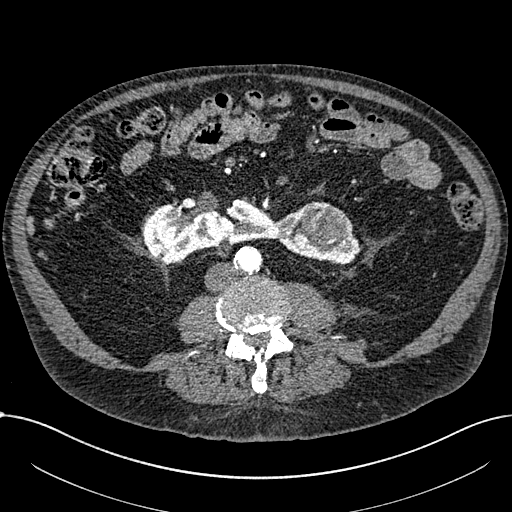
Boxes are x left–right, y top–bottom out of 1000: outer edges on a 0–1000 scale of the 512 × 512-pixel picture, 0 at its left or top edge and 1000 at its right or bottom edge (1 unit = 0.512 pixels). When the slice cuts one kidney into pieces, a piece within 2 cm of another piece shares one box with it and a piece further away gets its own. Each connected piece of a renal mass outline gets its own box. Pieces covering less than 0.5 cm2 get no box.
Slice 289/1059 of a contrast-enhanced abdominal CT in the arterial phase, counting up from the lowest; pixel size 0.811 mm, slice thickness 1.00 mm. Two boxes on this slice (one kidney box and one renal mass box), listed by box centre from the image's left to its right. (1) Kidney crossing the body midline at x 277–703, y 387–518 out of 1000 (outlined area 7,815 px, about 51.3 cm2). (2) Renal mass at x 582–688, y 393–484 out of 1000 (outlined area 1,907 px, about 12.5 cm2).
Acquired at 100 kVp and reconstructed with the I30f kernel.